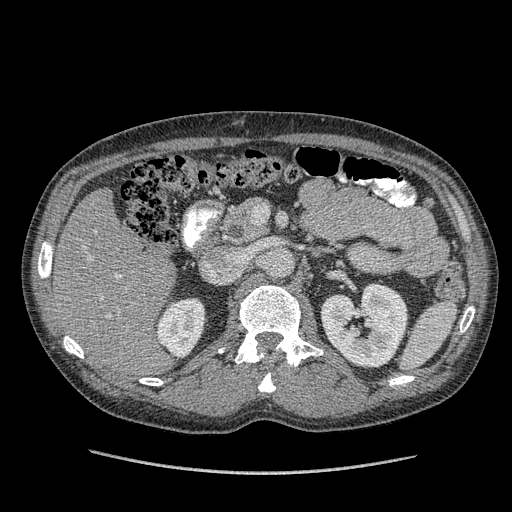
One axial slice (232 of 349, counting up from the lowest) of an arterial-phase abdominal CT acquired with 120 kVp, kernel STANDARD; each pixel is 0.742 mm and the slice is 1.25 mm thick.
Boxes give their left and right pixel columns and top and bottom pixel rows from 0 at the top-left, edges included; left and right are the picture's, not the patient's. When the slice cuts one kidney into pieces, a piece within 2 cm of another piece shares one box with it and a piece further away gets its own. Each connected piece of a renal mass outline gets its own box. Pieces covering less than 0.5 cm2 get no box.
Boxed on this slice (two kidney boxes), listed by box centre from the image's left to its right: (1) Right kidney in the box with left 155, top 297, right 206, bottom 357 (outlined area 2,301 px, about 12.7 cm2). (2) Left kidney, the box with left 320, top 282, right 408, bottom 368 (outlined area 5,509 px, about 30.3 cm2). This slice carries no renal mass outline.